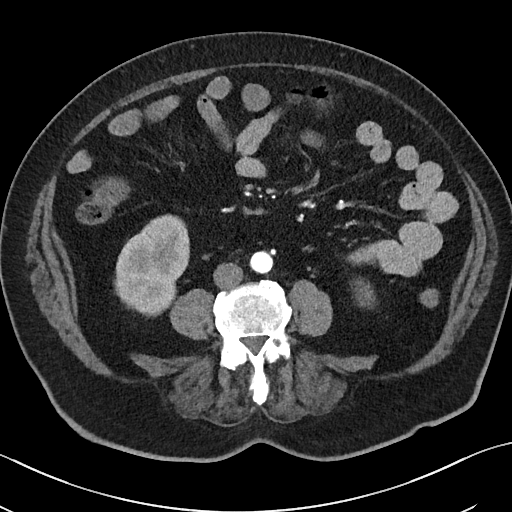
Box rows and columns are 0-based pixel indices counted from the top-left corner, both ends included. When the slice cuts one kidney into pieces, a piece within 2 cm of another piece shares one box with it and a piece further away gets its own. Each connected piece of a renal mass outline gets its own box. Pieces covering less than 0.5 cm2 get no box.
Contrast-enhanced abdominal CT, axial slice 10 of 50 (counted from the lowest slice); 5.00 mm thick, 0.723 mm per pixel. Boxed on this slice (two kidney boxes), listed by box centre from the image's left to its right: (1) Right kidney at rows 214–316, columns 114–189 (outlined area 5,562 px, about 29.0 cm2). (2) Left kidney at rows 280–307, columns 354–374 (outlined area 409 px, about 2.1 cm2). This slice carries no renal mass outline.
Tube voltage 100 kVp; convolution kernel I40f.